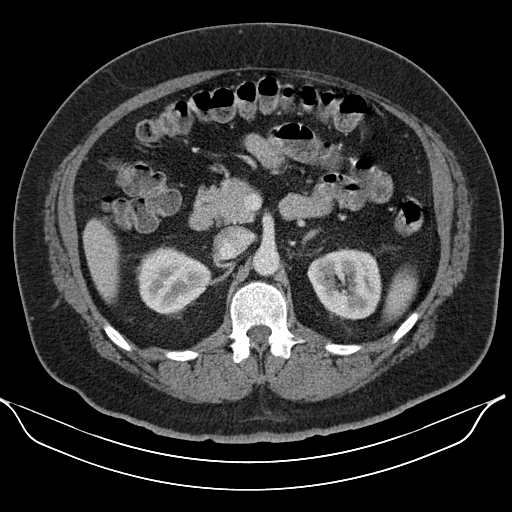
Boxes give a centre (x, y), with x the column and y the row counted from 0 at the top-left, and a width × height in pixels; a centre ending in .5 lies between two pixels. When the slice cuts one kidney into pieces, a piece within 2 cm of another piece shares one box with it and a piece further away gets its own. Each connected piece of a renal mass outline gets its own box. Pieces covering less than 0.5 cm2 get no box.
Arterial-phase contrast-enhanced abdominal CT, axial slice 74 of 110 (counted from the lowest slice); 5.00 mm thick, 0.836 mm per pixel. Boxed on this slice (two kidney boxes), listed by box centre from the image's left to its right: (1) Right kidney, box centre (173.5, 280), 76 × 71 pixels (outlined area 3,760 px, about 26.3 cm2). (2) Left kidney in a box with centre (344, 283.5), 75 × 74 pixels (outlined area 4,158 px, about 29.1 cm2). No renal mass is outlined on this slice.
Tube voltage 130 kVp; convolution kernel B30s.